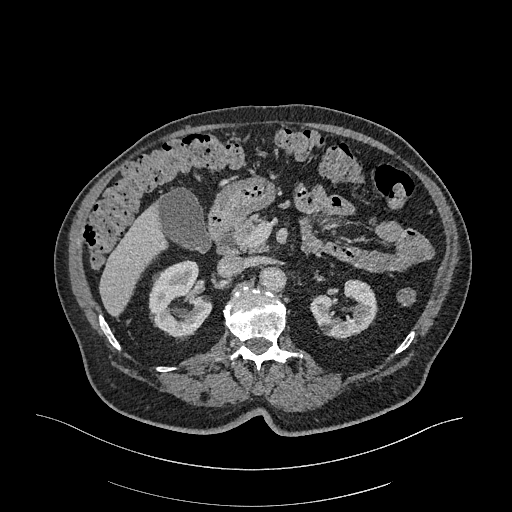
Arterial-phase contrast-enhanced abdominal CT, axial slice 198 of 470 (counted from the lowest slice); tube voltage 120 kVp, convolution kernel I26f; slices 1.00 mm thick, 0.938 mm per pixel.
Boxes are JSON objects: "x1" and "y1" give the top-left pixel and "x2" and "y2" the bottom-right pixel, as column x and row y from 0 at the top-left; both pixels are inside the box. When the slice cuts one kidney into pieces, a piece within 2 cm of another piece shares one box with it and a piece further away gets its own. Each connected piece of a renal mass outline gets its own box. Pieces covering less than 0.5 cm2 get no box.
Two kidney boxes on this slice; by box centre, from the image's left to its right: (1) Box {"x1": 148, "y1": 260, "x2": 211, "y2": 337}: right kidney (outlined area 3,527 px, about 31.0 cm2). (2) Left kidney at {"x1": 310, "y1": 278, "x2": 376, "y2": 338} (outlined area 2,618 px, about 23.0 cm2). No renal mass outline on this slice.